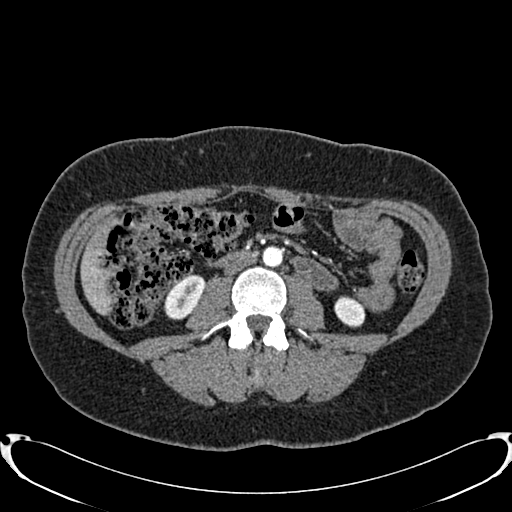
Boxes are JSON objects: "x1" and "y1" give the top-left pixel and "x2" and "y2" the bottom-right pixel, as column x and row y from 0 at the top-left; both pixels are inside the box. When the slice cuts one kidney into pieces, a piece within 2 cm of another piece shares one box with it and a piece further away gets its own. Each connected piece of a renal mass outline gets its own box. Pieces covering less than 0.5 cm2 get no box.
Slice 381/719 of a contrast-enhanced abdominal CT in the arterial phase, counting up from the lowest; pixel size 0.766 mm, slice thickness 1.00 mm. Boxed on this slice (two kidney boxes), listed by box centre from the image's left to its right: (1) Box {"x1": 163, "y1": 274, "x2": 204, "y2": 319}: right kidney (outlined area 1,287 px, about 7.5 cm2). (2) Box {"x1": 334, "y1": 296, "x2": 365, "y2": 327}: left kidney (outlined area 759 px, about 4.4 cm2). No renal mass outline on this slice.
Scan settings: 120 kVp, B20f reconstruction kernel.